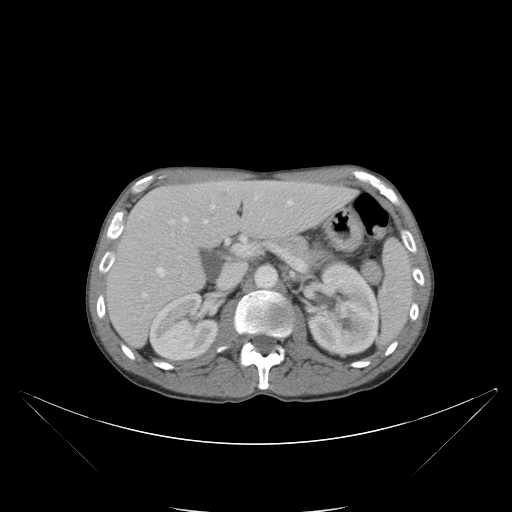
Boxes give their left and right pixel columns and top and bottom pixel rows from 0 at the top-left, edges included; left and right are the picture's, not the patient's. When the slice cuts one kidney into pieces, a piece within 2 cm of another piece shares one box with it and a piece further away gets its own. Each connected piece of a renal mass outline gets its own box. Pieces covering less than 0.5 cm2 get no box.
Contrast-enhanced abdominal CT, axial slice 65 of 88 (counted from the lowest slice); 5.00 mm thick, 0.865 mm per pixel. Two kidney boxes on this slice; by box centre, from the image's left to its right: (1) Right kidney in the box with left 149, top 293, right 217, bottom 361 (outlined area 3,506 px, about 26.2 cm2). (2) Box with left 307, top 260, right 378, bottom 357: left kidney (outlined area 5,129 px, about 38.4 cm2). No renal mass outline on this slice.
Tube voltage 120 kVp; convolution kernel B.